One axial slice (64 of 96, counting up from the lowest) of an arterial-phase abdominal CT acquired with 130 kVp, kernel B30s; each pixel is 0.781 mm and the slice is 3.00 mm thick.
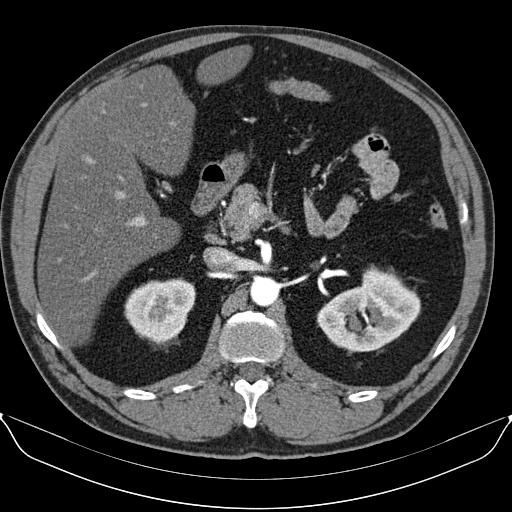
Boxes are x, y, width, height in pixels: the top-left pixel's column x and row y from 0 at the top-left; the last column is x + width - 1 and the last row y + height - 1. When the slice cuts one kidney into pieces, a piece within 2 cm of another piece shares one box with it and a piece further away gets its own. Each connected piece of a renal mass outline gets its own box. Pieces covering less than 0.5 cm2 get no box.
Boxed on this slice (two kidney boxes), listed by box centre from the image's left to its right: (1) Right kidney at x 124, y 278, width 72, height 65 (outlined area 3,413 px, about 20.8 cm2). (2) Left kidney, box x 316, y 269, width 105, height 83 (outlined area 5,703 px, about 34.8 cm2). This slice carries no renal mass outline.